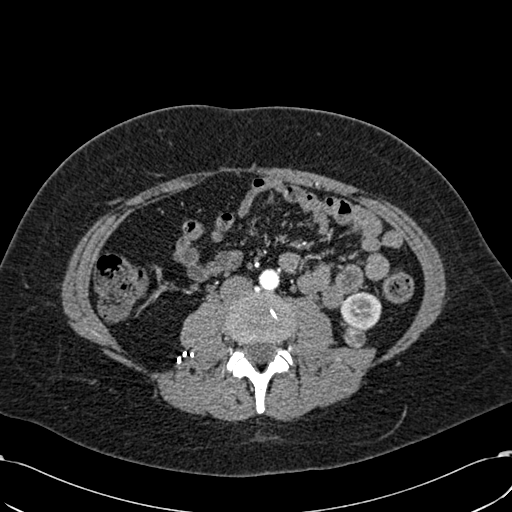
Abdominal CT with intravenous contrast, arterial phase, axial plane, 120 kVp, kernel B30f. Slice 261/532 from the bottom of the scan; thickness 1.00 mm; pixel size 0.713 mm.
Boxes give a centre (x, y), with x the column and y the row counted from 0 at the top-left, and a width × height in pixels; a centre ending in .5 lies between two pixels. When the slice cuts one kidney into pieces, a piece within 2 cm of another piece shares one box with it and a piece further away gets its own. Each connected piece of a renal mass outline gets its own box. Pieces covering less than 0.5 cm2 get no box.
Boxed on this slice (one kidney box and one renal mass box), listed by box centre from the image's left to its right: (1) Box centre (354, 337), 23 × 23 pixels: left renal mass (outlined area 377 px, about 1.9 cm2). (2) Left kidney, box centre (360.5, 310.5), 42 × 40 pixels (outlined area 1,280 px, about 6.5 cm2).